One axial slice (395 of 673, counting up from the lowest) of an arterial-phase abdominal CT acquired with 140 kVp, kernel I30f; each pixel is 0.957 mm and the slice is 1.00 mm thick.
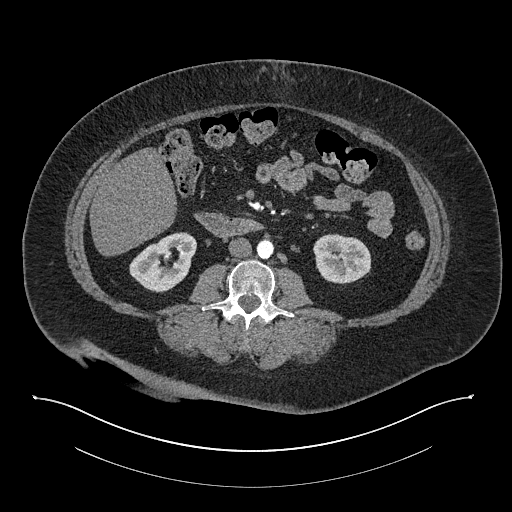
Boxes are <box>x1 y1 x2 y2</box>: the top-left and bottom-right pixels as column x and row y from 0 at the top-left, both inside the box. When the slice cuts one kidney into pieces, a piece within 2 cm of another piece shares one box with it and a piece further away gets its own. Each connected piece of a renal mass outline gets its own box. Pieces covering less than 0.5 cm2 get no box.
Two kidney boxes on this slice; by box centre, from the image's left to its right: (1) Right kidney at <box>129 232 196 292</box> (outlined area 2,711 px, about 24.8 cm2). (2) Left kidney: <box>313 233 371 284</box> (outlined area 2,329 px, about 21.3 cm2). No renal mass is outlined on this slice.